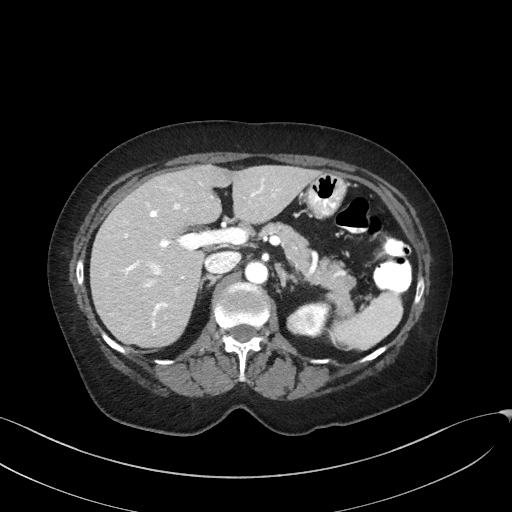
Axial slice 102 of 129 of a contrast-enhanced abdominal CT in the arterial phase (slice 1 is the lowest), 100 kVp, kernel I41f; 3.00 mm slice thickness and 0.779 mm pixels.
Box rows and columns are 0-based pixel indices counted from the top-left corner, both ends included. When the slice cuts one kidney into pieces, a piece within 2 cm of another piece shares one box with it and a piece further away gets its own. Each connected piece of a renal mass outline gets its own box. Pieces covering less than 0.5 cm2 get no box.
One kidney box and one renal mass box on this slice; by box centre, from the image's left to its right: (1) Left renal mass, box rows 313–334, columns 287–307 (outlined area 356 px, about 2.2 cm2). (2) Left kidney at rows 303–337, columns 293–331 (outlined area 818 px, about 5.0 cm2).